One axial slice (389 of 538, counting up from the lowest) of an arterial-phase abdominal CT acquired with 120 kVp, kernel B30f; each pixel is 0.811 mm and the slice is 1.00 mm thick.
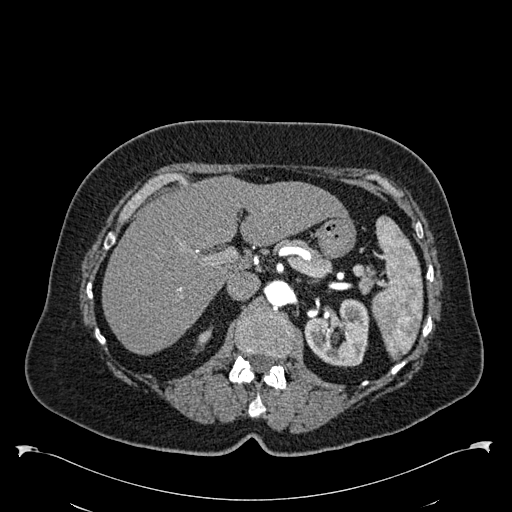
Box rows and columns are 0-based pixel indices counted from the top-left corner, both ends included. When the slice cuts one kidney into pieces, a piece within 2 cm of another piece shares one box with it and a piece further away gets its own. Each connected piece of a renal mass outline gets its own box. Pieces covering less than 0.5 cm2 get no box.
Two boxes on this slice (two kidney boxes), listed by box centre from the image's left to its right. (1) Right kidney, box rows 327–353, columns 194–212 (outlined area 216 px, about 1.4 cm2). (2) Left kidney at rows 299–367, columns 304–369 (outlined area 3,289 px, about 21.6 cm2). No renal mass outline on this slice.